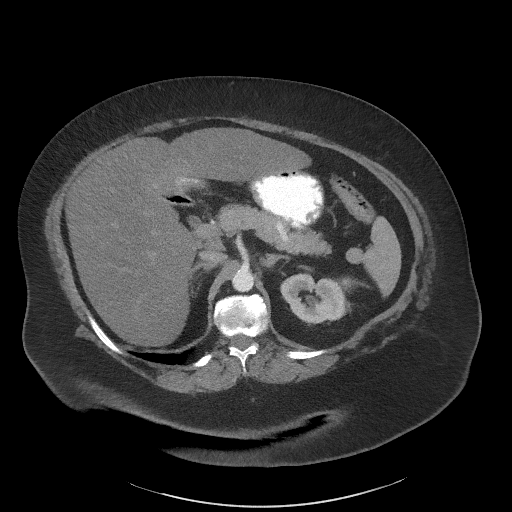
Abdominal CT with intravenous contrast, arterial phase, axial plane, 140 kVp, kernel I41f. Slice 47/61 from the bottom of the scan; thickness 3.00 mm; pixel size 0.947 mm.
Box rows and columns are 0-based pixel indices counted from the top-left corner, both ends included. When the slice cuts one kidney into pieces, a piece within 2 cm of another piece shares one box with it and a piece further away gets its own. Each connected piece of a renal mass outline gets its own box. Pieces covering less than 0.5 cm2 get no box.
Left kidney, box rows 271–324, columns 280–345 (outlined area 2,606 px, about 23.4 cm2). No renal mass is outlined on this slice.